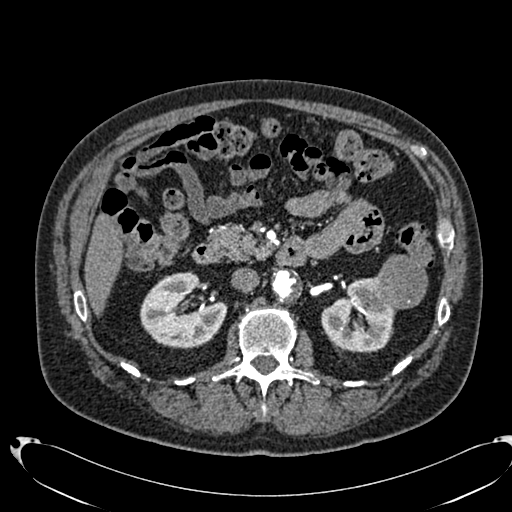
Abdominal CT with intravenous contrast, arterial phase, axial plane, 120 kVp, kernel B20f. Slice 427/553 from the bottom of the scan; thickness 1.00 mm; pixel size 0.773 mm.
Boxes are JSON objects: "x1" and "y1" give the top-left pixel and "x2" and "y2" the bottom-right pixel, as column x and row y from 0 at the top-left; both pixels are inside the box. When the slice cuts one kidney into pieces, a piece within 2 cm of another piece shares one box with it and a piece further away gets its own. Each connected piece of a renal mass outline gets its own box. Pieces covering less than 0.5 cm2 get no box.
Three boxes on this slice (two kidney boxes and one renal mass box), listed by box centre from the image's left to its right. (1) Right kidney at {"x1": 140, "y1": 271, "x2": 227, "y2": 348} (outlined area 4,772 px, about 28.5 cm2). (2) Left kidney, box {"x1": 321, "y1": 275, "x2": 396, "y2": 352} (outlined area 3,667 px, about 21.9 cm2). (3) Left renal mass, box {"x1": 373, "y1": 254, "x2": 427, "y2": 309} (outlined area 2,384 px, about 14.3 cm2).